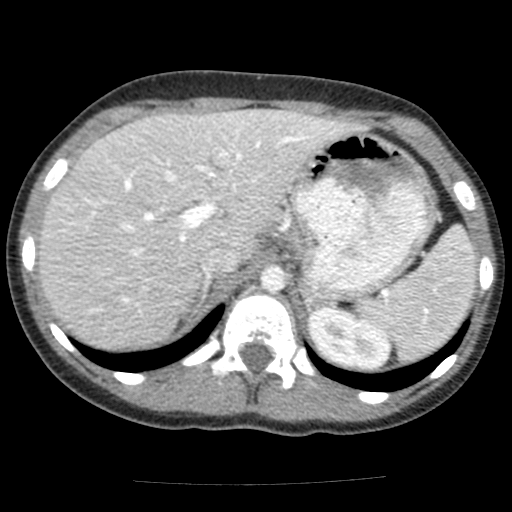
Arterial-phase contrast-enhanced abdominal CT, axial slice 97 of 117 (counted from the lowest slice); tube voltage 120 kVp, convolution kernel FC12; slices 3.00 mm thick, 0.518 mm per pixel.
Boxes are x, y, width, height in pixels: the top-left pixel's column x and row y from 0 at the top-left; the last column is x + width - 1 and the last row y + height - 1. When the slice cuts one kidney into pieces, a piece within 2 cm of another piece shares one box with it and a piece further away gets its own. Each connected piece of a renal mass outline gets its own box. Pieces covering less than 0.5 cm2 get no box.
Left kidney, box x 308, y 307, width 84, height 62 (outlined area 3,668 px, about 9.8 cm2). This slice carries no renal mass outline.